Axial slice 333 of 734 of a contrast-enhanced abdominal CT (slice 1 is the lowest), 120 kVp, kernel B31f; 2.00 mm slice thickness and 0.971 mm pixels.
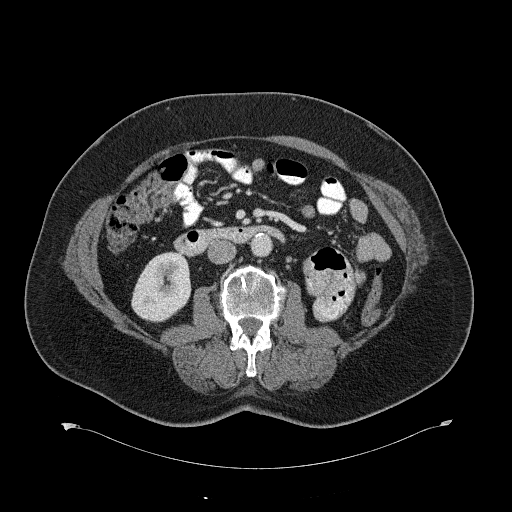
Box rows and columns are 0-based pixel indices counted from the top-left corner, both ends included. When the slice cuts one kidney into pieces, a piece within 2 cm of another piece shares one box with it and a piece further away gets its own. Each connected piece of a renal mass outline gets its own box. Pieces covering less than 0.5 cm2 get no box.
Box rows 252–322, columns 131–191: right kidney (outlined area 3,177 px, about 29.9 cm2). No renal mass is outlined on this slice.